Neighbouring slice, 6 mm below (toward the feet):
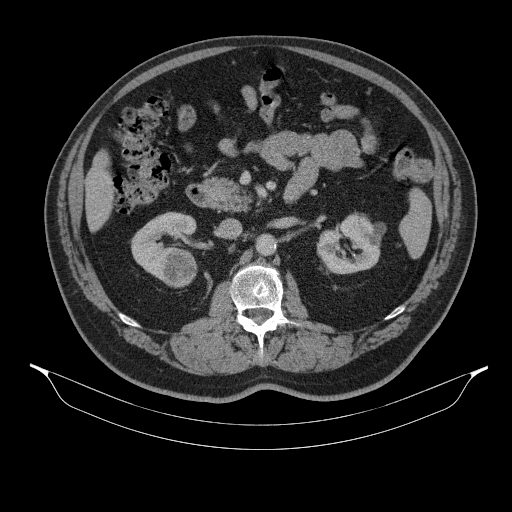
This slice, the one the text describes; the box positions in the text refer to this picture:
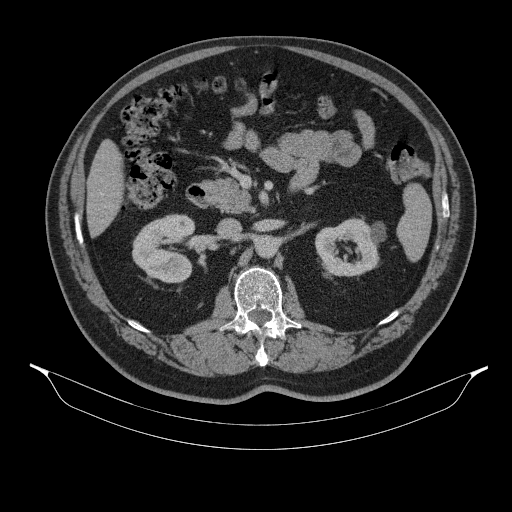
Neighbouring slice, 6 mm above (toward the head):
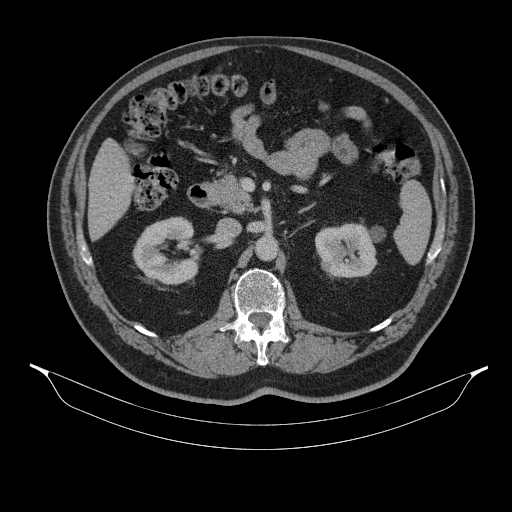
Axial slice 206 of 314 of a contrast-enhanced abdominal CT (slice 1 is the lowest), 130 kVp, kernel B31s; 2.50 mm slice thickness and 0.934 mm pixels.
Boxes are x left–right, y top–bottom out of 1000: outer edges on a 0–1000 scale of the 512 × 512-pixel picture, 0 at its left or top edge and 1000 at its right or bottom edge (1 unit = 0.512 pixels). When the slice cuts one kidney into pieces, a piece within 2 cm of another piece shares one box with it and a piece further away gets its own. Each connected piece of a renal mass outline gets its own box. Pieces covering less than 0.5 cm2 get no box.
Boxed on this slice (two kidney boxes and one renal mass box), listed by box centre from the image's left to its right: (1) Right kidney, box x 258–385, y 418–555 out of 1000 (outlined area 3,189 px, about 27.8 cm2). (2) Right renal mass at x 322–357, y 502–529 out of 1000 (outlined area 192 px, about 1.7 cm2). (3) Left kidney at x 615–754, y 426–541 out of 1000 (outlined area 2,946 px, about 25.7 cm2). This slice is near the end of the right renal mass toward the head, so the slices 6 mm below and 6 mm above it are shown as well; the boxes refer to this slice only.